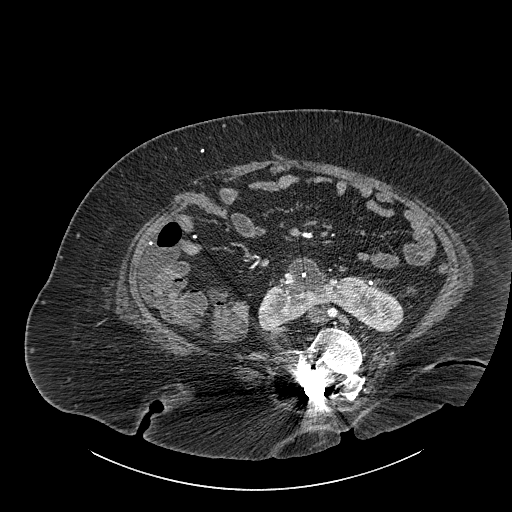
Contrast-enhanced abdominal CT, axial slice 469 of 834 (counted from the lowest slice); tube voltage 140 kVp, convolution kernel I30f; slices 1.00 mm thick, 0.977 mm per pixel.
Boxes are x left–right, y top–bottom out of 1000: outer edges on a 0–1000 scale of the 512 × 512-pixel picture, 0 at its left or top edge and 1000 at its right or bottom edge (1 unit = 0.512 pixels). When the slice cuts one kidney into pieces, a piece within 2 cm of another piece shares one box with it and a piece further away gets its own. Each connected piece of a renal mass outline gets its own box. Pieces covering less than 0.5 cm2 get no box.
Box x 504–791, y 502–650 out of 1000: kidney crossing the body midline (outlined area 5,816 px, about 55.5 cm2).